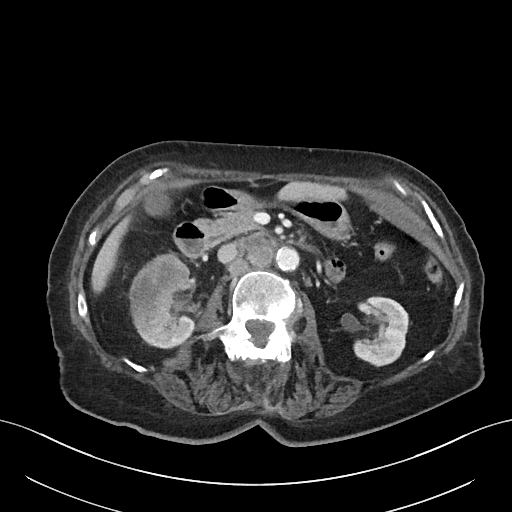
One axial slice (31 of 76, counting up from the lowest) of a contrast-enhanced abdominal CT acquired with 100 kVp, kernel I40f; each pixel is 0.768 mm and the slice is 3.00 mm thick.
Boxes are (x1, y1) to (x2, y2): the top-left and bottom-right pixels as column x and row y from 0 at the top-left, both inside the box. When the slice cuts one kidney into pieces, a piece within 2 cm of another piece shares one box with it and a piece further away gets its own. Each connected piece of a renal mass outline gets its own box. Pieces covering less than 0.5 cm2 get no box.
Three boxes on this slice (two kidney boxes and one renal mass box), listed by box centre from the image's left to its right. (1) Right renal mass from (128, 253) to (191, 336) (outlined area 3,385 px, about 19.9 cm2). (2) Right kidney from (140, 273) to (194, 349) (outlined area 1,613 px, about 9.5 cm2). (3) Left kidney from (353, 296) to (409, 367) (outlined area 2,973 px, about 17.5 cm2).